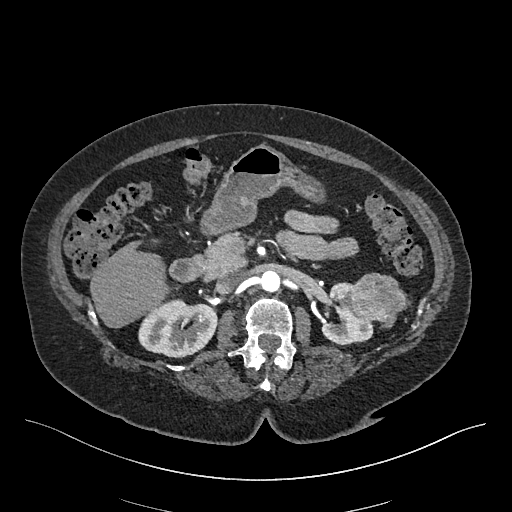
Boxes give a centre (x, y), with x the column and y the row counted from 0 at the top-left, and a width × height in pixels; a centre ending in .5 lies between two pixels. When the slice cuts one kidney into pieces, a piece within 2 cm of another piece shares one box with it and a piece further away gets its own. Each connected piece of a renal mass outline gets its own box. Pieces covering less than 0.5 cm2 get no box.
Slice 269/548 of a contrast-enhanced abdominal CT in the arterial phase, counting up from the lowest; pixel size 0.852 mm, slice thickness 1.00 mm. Boxed on this slice (two kidney boxes and one renal mass box), listed by box centre from the image's left to its right: (1) Box centre (178, 328), 81 × 59 pixels: right kidney (outlined area 3,564 px, about 25.8 cm2). (2) Box centre (346.5, 313), 54 × 63 pixels: left kidney (outlined area 1,882 px, about 13.6 cm2). (3) Left renal mass in a box with centre (378.5, 300), 58 × 57 pixels (outlined area 2,390 px, about 17.3 cm2).
Tube voltage 120 kVp; convolution kernel I26f.